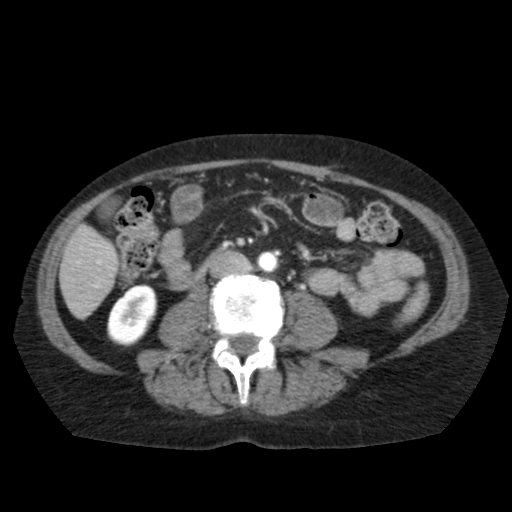
Axial slice 49 of 79 of a contrast-enhanced abdominal CT in the arterial phase (slice 1 is the lowest), 120 kVp, kernel FC11; 5.00 mm slice thickness and 0.686 mm pixels.
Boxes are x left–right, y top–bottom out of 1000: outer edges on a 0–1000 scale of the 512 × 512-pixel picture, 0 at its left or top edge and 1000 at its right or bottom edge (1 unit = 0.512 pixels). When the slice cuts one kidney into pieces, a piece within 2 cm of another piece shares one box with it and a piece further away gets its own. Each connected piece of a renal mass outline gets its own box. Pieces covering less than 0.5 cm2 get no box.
Right kidney at x 209–309, y 555–678 out of 1000 (outlined area 2,280 px, about 10.7 cm2). No renal mass is outlined on this slice.